Arterial-phase contrast-enhanced abdominal CT, axial slice 100 of 234 (counted from the lowest slice); tube voltage 100 kVp, convolution kernel I40f; slices 2.00 mm thick, 0.699 mm per pixel.
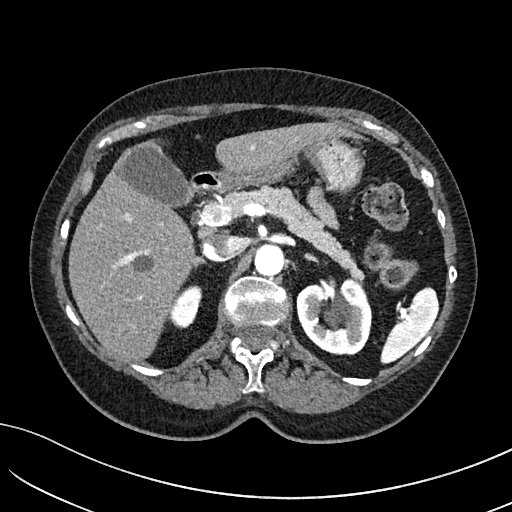
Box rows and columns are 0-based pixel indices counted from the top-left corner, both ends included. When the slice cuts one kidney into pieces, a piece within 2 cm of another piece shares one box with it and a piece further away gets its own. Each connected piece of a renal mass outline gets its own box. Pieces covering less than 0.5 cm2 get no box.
Two boxes on this slice (two kidney boxes), listed by box centre from the image's left to its right. (1) Right kidney at rows 285–327, columns 169–202 (outlined area 981 px, about 4.8 cm2). (2) Left kidney at rows 278–354, columns 296–372 (outlined area 4,535 px, about 22.2 cm2). This slice carries no renal mass outline.